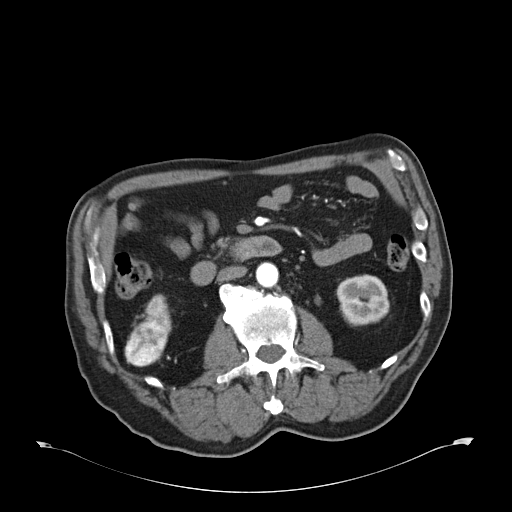
Abdominal CT with intravenous contrast, arterial phase, axial plane, 120 kVp, kernel B30f. Slice 27/59 from the bottom of the scan; thickness 5.00 mm; pixel size 0.871 mm.
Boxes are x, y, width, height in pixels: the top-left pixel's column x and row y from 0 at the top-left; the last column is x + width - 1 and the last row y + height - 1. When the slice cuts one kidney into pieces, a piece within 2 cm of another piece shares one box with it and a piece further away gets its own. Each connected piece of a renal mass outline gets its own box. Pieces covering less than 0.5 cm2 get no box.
Boxed on this slice (two kidney boxes and one renal mass box), listed by box centre from the image's left to its right: (1) Box x 124, y 320, width 45, height 47: right renal mass (outlined area 1,563 px, about 11.9 cm2). (2) Box x 144, y 294, width 28, height 40: right kidney (outlined area 646 px, about 4.9 cm2). (3) Left kidney, box x 336, y 274, width 54, height 53 (outlined area 2,206 px, about 16.7 cm2).